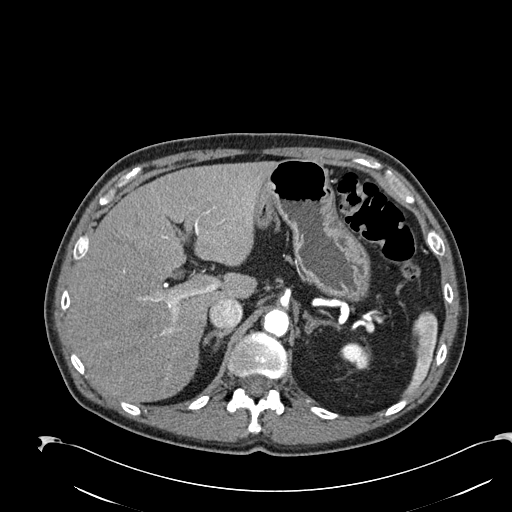
Axial slice 173 of 274 of a contrast-enhanced abdominal CT in the arterial phase (slice 1 is the lowest), 120 kVp, kernel B30f; 2.00 mm slice thickness and 0.809 mm pixels.
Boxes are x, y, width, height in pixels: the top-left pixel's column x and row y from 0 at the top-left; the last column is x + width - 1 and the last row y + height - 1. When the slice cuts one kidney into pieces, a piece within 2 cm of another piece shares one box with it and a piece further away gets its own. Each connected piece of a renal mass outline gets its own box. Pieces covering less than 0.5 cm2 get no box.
Left kidney, box x 340, y 342, width 31, height 28 (outlined area 568 px, about 3.7 cm2). This slice carries no renal mass outline.